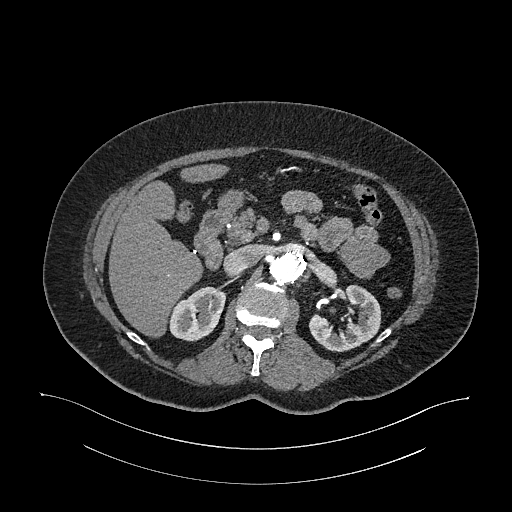
Abdominal CT with intravenous contrast, arterial phase, axial plane, 120 kVp, kernel I26f. Slice 697/987 from the bottom of the scan; thickness 1.00 mm; pixel size 0.977 mm.
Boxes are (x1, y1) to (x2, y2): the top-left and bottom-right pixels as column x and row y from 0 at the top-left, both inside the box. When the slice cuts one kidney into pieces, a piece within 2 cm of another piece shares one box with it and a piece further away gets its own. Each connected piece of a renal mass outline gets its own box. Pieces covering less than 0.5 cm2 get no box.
Two kidney boxes on this slice; by box centre, from the image's left to its right: (1) Right kidney, box (168, 286) to (225, 341) (outlined area 2,275 px, about 21.7 cm2). (2) Left kidney, box (308, 284) to (381, 352) (outlined area 2,858 px, about 27.3 cm2). This slice carries no renal mass outline.